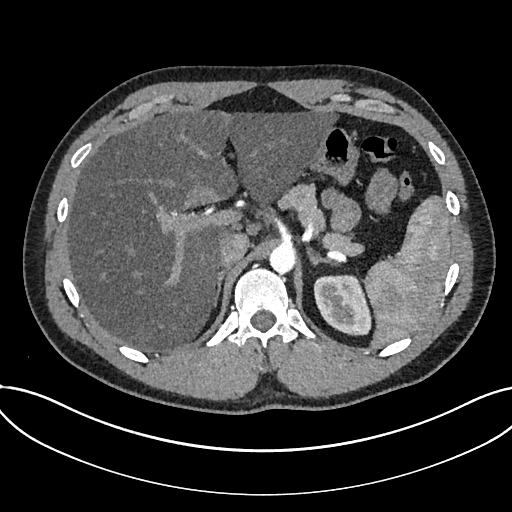
Arterial-phase contrast-enhanced abdominal CT, axial slice 555 of 735 (counted from the lowest slice); tube voltage 120 kVp, convolution kernel I30f; slices 1.00 mm thick, 0.789 mm per pixel.
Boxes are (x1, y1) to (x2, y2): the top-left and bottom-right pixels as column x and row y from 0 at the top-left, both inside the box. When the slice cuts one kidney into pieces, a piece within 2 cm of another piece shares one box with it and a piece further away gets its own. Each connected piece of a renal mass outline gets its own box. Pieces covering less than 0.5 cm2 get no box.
Kidney, box (313, 274) to (371, 335) (outlined area 2,741 px, about 17.1 cm2). No renal mass outline on this slice.